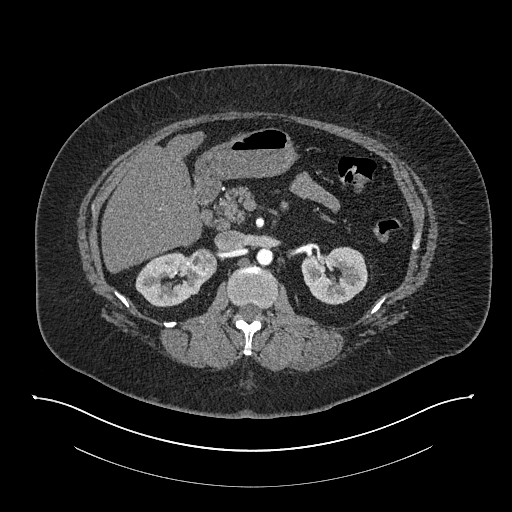
One axial slice (500 of 673, counting up from the lowest) of an arterial-phase abdominal CT acquired with 140 kVp, kernel I30f; each pixel is 0.957 mm and the slice is 1.00 mm thick.
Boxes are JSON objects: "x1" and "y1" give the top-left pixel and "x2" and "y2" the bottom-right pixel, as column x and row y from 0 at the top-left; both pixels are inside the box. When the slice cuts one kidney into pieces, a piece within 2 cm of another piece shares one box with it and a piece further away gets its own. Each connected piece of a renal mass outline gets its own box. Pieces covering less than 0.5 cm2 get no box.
Two kidney boxes and one renal mass box on this slice; by box centre, from the image's left to its right: (1) Box {"x1": 135, "y1": 252, "x2": 211, "y2": 306}: right kidney (outlined area 2,694 px, about 24.7 cm2). (2) Right renal mass at {"x1": 188, "y1": 248, "x2": 217, "y2": 275} (outlined area 617 px, about 5.7 cm2). (3) Box {"x1": 301, "y1": 246, "x2": 367, "y2": 304}: left kidney (outlined area 2,936 px, about 26.9 cm2).